Axial slice 58 of 274 of a contrast-enhanced abdominal CT in the arterial phase (slice 1 is the lowest), 120 kVp, kernel B30f; 2.00 mm slice thickness and 0.809 mm pixels.
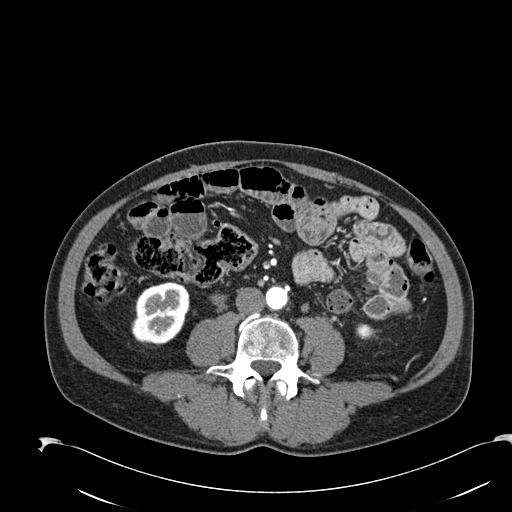
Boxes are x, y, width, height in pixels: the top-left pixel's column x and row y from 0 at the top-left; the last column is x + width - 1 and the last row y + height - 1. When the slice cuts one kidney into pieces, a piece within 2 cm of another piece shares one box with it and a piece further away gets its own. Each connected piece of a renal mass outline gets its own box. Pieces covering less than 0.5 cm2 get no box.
Two kidney boxes on this slice; by box centre, from the image's left to its right: (1) Right kidney, box x 131, y 282, width 59, height 63 (outlined area 2,813 px, about 18.4 cm2). (2) Left kidney at x 356, y 323, width 17, height 16 (outlined area 219 px, about 1.4 cm2). No renal mass outline on this slice.